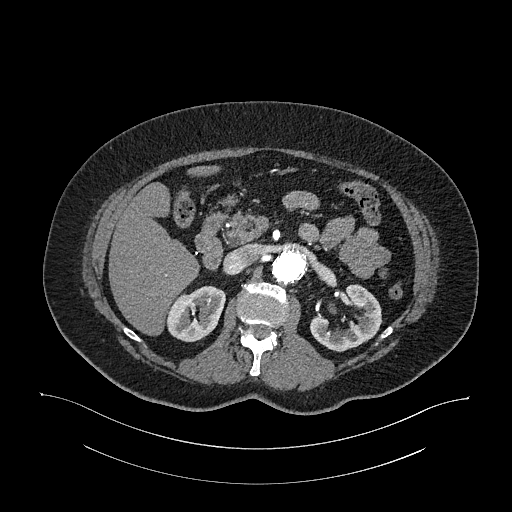
Abdominal CT with intravenous contrast, arterial phase, axial plane, 120 kVp, kernel I26f. Slice 691/987 from the bottom of the scan; thickness 1.00 mm; pixel size 0.977 mm.
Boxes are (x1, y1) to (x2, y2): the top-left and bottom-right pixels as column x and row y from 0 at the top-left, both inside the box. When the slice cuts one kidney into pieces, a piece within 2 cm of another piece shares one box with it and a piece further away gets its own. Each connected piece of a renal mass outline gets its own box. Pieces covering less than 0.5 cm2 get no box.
Two kidney boxes on this slice; by box centre, from the image's left to its right: (1) Box (165, 285) to (225, 342): right kidney (outlined area 2,482 px, about 23.7 cm2). (2) Left kidney, box (310, 284) to (381, 351) (outlined area 2,753 px, about 26.3 cm2). No renal mass is outlined on this slice.